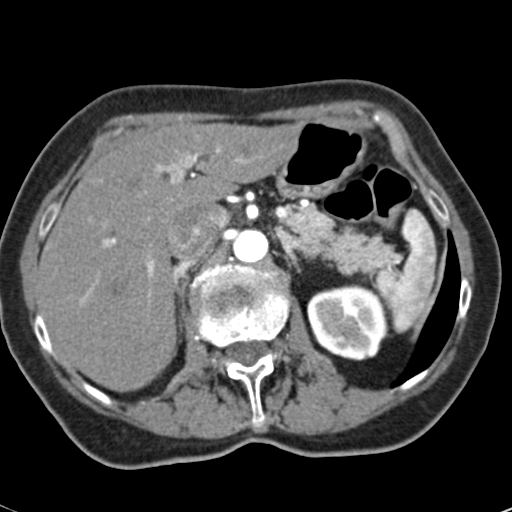
Arterial-phase contrast-enhanced abdominal CT, axial slice 43 of 53 (counted from the lowest slice); tube voltage 120 kVp, convolution kernel B30f; slices 3.00 mm thick, 0.547 mm per pixel.
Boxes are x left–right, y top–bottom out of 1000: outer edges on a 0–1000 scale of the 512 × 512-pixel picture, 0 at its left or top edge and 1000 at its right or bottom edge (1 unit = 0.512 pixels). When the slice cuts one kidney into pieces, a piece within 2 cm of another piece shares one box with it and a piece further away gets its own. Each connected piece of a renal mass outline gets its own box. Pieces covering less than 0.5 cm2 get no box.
Left kidney, box x 600–760, y 555–705 out of 1000 (outlined area 4,910 px, about 14.7 cm2). This slice carries no renal mass outline.